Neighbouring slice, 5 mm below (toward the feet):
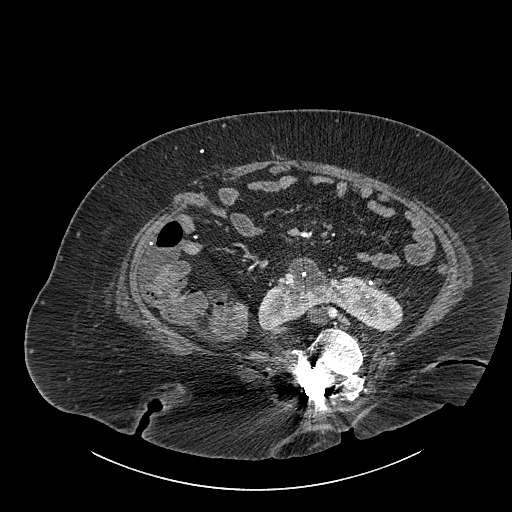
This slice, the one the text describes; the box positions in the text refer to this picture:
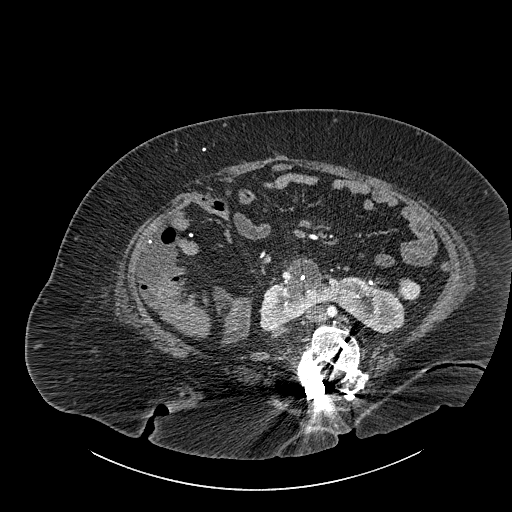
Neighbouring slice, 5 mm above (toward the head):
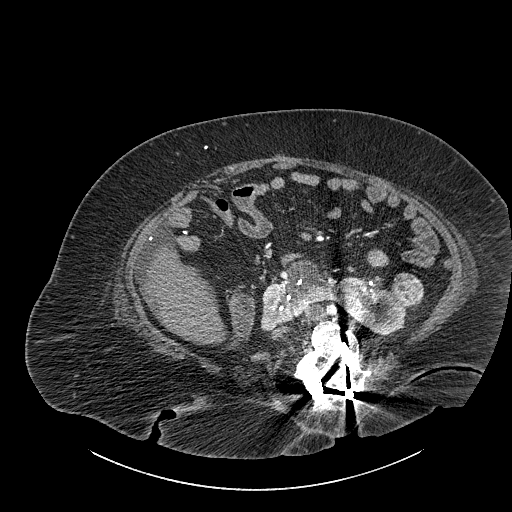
Axial slice 477 of 834 of a contrast-enhanced abdominal CT (slice 1 is the lowest), 140 kVp, kernel I30f; 1.00 mm slice thickness and 0.977 mm pixels.
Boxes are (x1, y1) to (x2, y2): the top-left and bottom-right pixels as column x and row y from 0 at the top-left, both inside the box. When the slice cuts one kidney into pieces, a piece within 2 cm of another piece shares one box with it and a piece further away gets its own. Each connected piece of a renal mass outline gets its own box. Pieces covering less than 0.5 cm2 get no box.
Two boxes on this slice (one kidney box and one renal mass box), listed by box centre from the image's left to its right. (1) Box (259, 257) to (405, 333): kidney crossing the body midline (outlined area 5,843 px, about 55.7 cm2). (2) Renal mass, box (397, 278) to (420, 300) (outlined area 411 px, about 3.9 cm2). This slice is near the end of a renal mass toward the feet, so the slices 5 mm below and 5 mm above it are shown as well; the boxes refer to this slice only.